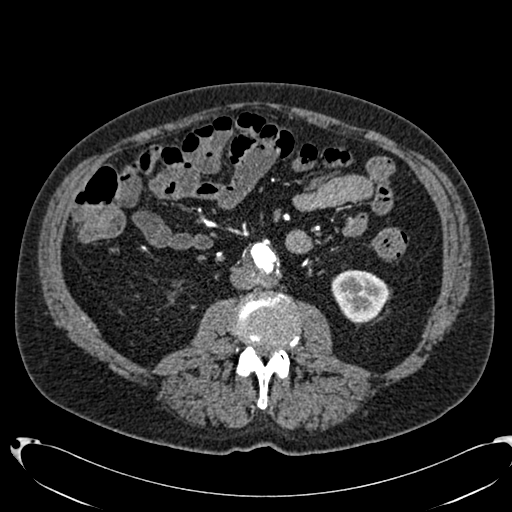
Axial slice 340 of 553 of a contrast-enhanced abdominal CT in the arterial phase (slice 1 is the lowest), 120 kVp, kernel B20f; 1.00 mm slice thickness and 0.773 mm pixels.
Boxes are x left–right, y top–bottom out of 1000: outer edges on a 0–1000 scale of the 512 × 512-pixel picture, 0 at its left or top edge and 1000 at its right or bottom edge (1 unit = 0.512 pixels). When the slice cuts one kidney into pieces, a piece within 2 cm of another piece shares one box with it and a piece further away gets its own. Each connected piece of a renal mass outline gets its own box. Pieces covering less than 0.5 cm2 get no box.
Left kidney, box x 646–760, y 527–633 out of 1000 (outlined area 2,321 px, about 13.9 cm2). No renal mass outline on this slice.